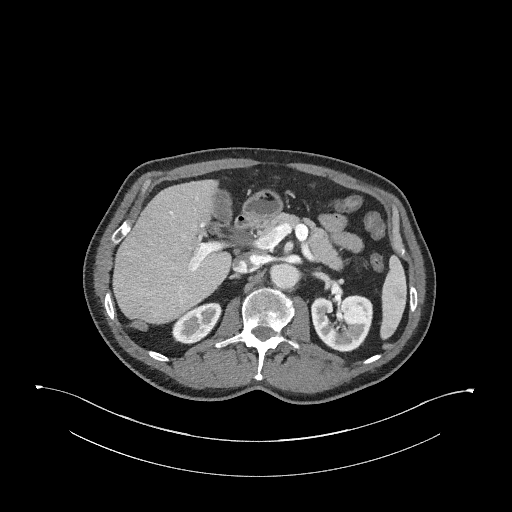
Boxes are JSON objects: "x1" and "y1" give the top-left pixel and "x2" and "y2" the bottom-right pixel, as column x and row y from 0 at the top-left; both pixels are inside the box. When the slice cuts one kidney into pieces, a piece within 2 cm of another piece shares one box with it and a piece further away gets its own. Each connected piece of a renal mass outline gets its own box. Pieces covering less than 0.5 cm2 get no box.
Slice 168/345 of a contrast-enhanced abdominal CT in the arterial phase, counting up from the lowest; pixel size 0.977 mm, slice thickness 2.00 mm. Two boxes on this slice (two kidney boxes), listed by box centre from the image's left to its right. (1) Right kidney, box {"x1": 171, "y1": 302, "x2": 222, "y2": 344} (outlined area 1,405 px, about 13.4 cm2). (2) Left kidney at {"x1": 311, "y1": 293, "x2": 373, "y2": 352} (outlined area 2,938 px, about 28.0 cm2). No renal mass outline on this slice.
Tube voltage 120 kVp; convolution kernel I31f.